One axial slice (388 of 591, counting up from the lowest) of an arterial-phase abdominal CT acquired with 140 kVp, kernel I30f; each pixel is 0.703 mm and the slice is 1.00 mm thick.
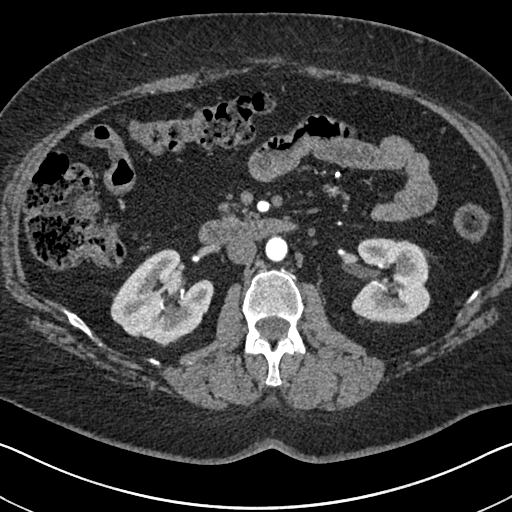
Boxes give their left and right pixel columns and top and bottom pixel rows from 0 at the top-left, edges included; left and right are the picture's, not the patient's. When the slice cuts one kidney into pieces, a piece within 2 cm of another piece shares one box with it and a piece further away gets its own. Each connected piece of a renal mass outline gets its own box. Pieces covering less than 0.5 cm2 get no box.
Two boxes on this slice (two kidney boxes), listed by box centre from the image's left to its right. (1) Right kidney, the box with left 110, top 249, right 211, bottom 341 (outlined area 6,386 px, about 31.6 cm2). (2) Left kidney, the box with left 351, top 237, right 430, bottom 322 (outlined area 5,501 px, about 27.2 cm2). No renal mass is outlined on this slice.